Abdominal CT with intravenous contrast, arterial phase, axial plane, 120 kVp, kernel I30f. Slice 268/673 from the bottom of the scan; thickness 1.00 mm; pixel size 0.855 mm.
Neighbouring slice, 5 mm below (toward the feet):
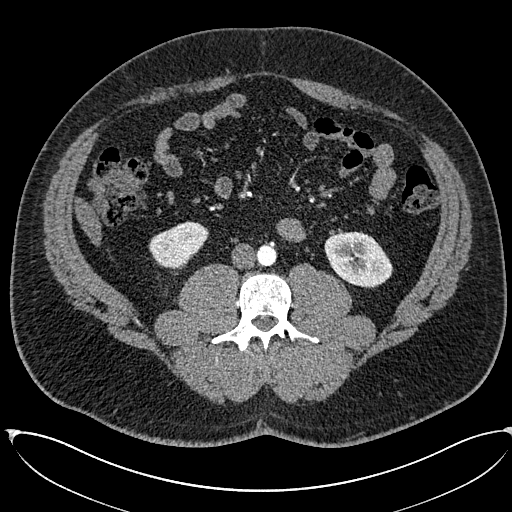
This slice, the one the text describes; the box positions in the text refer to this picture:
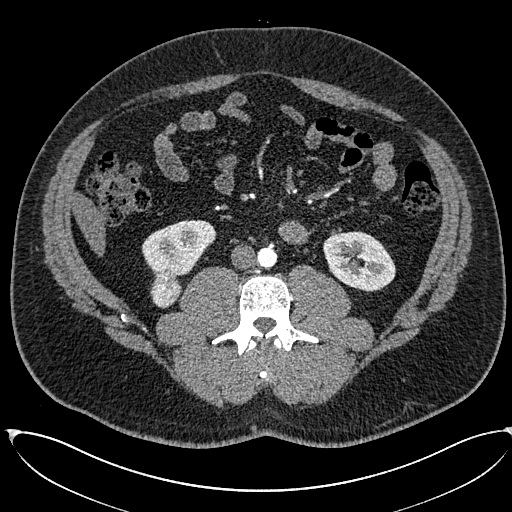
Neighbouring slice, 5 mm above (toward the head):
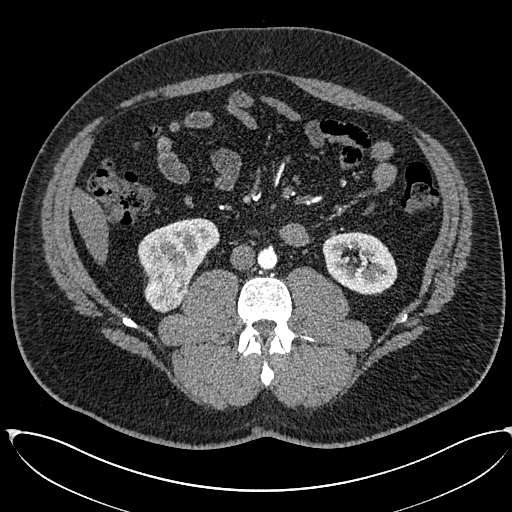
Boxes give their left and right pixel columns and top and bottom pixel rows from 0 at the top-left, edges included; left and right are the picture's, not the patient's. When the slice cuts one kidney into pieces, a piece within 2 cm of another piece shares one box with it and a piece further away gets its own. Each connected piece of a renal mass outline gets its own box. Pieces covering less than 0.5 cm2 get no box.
Two kidney boxes and one renal mass box on this slice; by box centre, from the image's left to its right: (1) Right renal mass, the box with left 150, top 269, right 180, bottom 308 (outlined area 927 px, about 6.8 cm2). (2) Box with left 141, top 220, right 216, bottom 276: right kidney (outlined area 2,932 px, about 21.5 cm2). (3) Box with left 323, top 231, right 395, bottom 290: left kidney (outlined area 3,263 px, about 23.9 cm2). This slice is near the end of the right renal mass toward the feet, so the slices 5 mm below and 5 mm above it are shown as well; the boxes refer to this slice only.